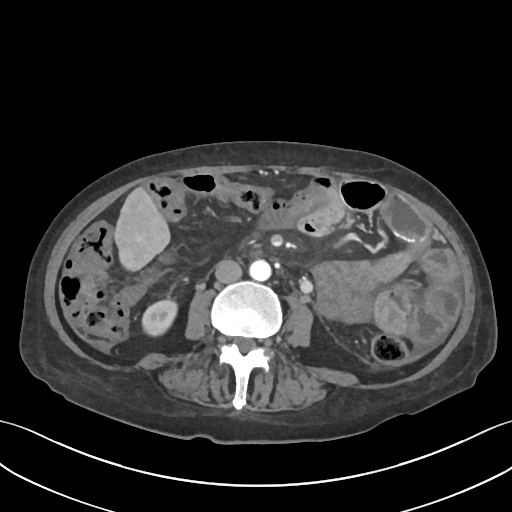
Abdominal CT with intravenous contrast, axial plane, 120 kVp, kernel I30f. Slice 20/109 from the bottom of the scan; thickness 3.00 mm; pixel size 0.742 mm.
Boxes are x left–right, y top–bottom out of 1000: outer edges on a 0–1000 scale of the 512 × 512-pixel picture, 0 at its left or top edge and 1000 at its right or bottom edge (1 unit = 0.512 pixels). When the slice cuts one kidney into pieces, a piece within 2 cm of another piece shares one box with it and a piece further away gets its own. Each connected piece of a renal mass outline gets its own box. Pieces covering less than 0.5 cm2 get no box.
Box x 275–350, y 584–660 out of 1000: right kidney (outlined area 1,082 px, about 6.0 cm2). No renal mass is outlined on this slice.